Arterial-phase contrast-enhanced abdominal CT, axial slice 185 of 548 (counted from the lowest slice); tube voltage 120 kVp, convolution kernel I26f; slices 1.00 mm thick, 0.852 mm per pixel.
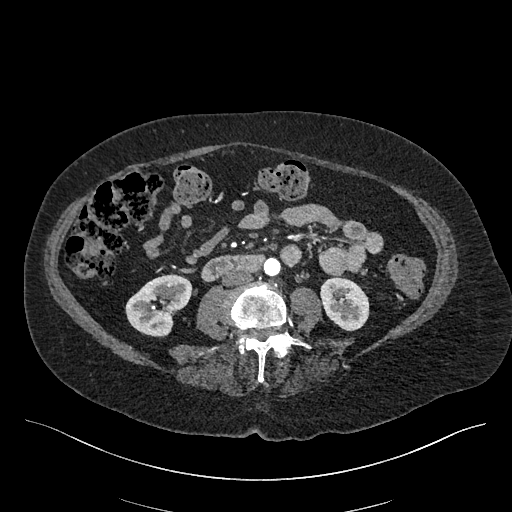
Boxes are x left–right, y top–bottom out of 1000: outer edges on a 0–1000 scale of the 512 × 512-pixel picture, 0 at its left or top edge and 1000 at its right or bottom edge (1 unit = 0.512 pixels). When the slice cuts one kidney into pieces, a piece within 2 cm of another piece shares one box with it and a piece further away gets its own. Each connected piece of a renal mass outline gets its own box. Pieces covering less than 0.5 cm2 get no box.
Two boxes on this slice (two kidney boxes), listed by box centre from the image's left to its right. (1) Right kidney at x 244–377, y 533–660 out of 1000 (outlined area 2,889 px, about 20.9 cm2). (2) Left kidney, box x 625–723, y 539–648 out of 1000 (outlined area 2,065 px, about 15.0 cm2). No renal mass is outlined on this slice.